Abdominal CT with intravenous contrast, arterial phase, axial plane, 120 kVp, kernel B30f. Slice 364/512 from the bottom of the scan; thickness 1.00 mm; pixel size 0.771 mm.
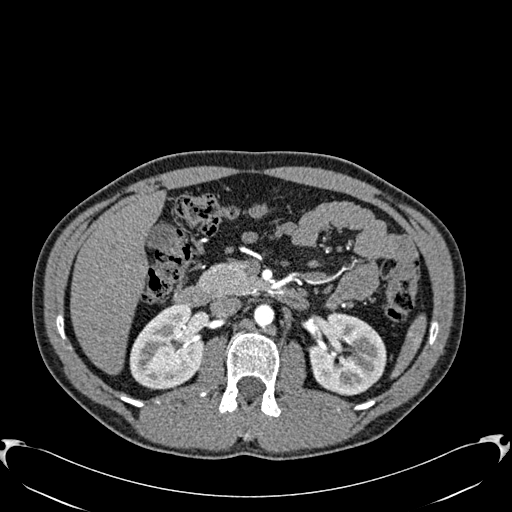
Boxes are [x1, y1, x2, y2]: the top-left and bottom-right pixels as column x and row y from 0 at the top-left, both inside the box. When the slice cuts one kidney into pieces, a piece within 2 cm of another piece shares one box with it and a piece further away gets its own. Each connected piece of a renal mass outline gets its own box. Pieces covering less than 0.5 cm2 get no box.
Two kidney boxes on this slice; by box centre, from the image's left to its right: (1) Box [129, 305, 204, 389]: right kidney (outlined area 4,706 px, about 28.0 cm2). (2) Box [309, 313, 386, 395]: left kidney (outlined area 4,861 px, about 28.9 cm2). No renal mass is outlined on this slice.